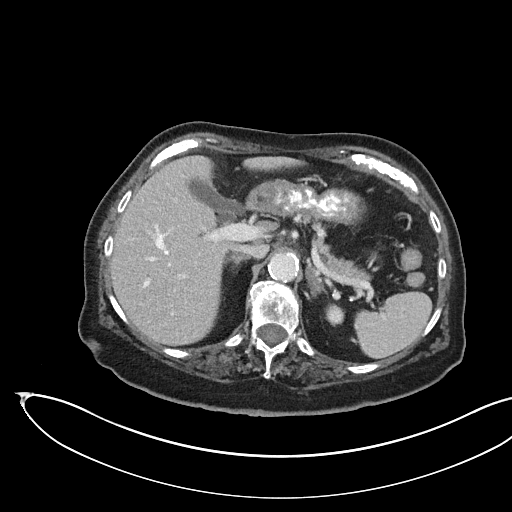
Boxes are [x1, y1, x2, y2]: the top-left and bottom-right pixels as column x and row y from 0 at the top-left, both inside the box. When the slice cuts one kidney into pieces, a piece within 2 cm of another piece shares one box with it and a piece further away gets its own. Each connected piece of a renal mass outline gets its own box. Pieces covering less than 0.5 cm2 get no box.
This is axial slice 114 of 145 (slice 1 is the lowest) of an arterial-phase abdominal CT with contrast; each pixel is 0.834 mm and the slice is 3.00 mm thick. Kidney, box [325, 303, 344, 324] (outlined area 327 px, about 2.3 cm2). No renal mass outline on this slice.
Acquired at 100 kVp and reconstructed with the I40f kernel.